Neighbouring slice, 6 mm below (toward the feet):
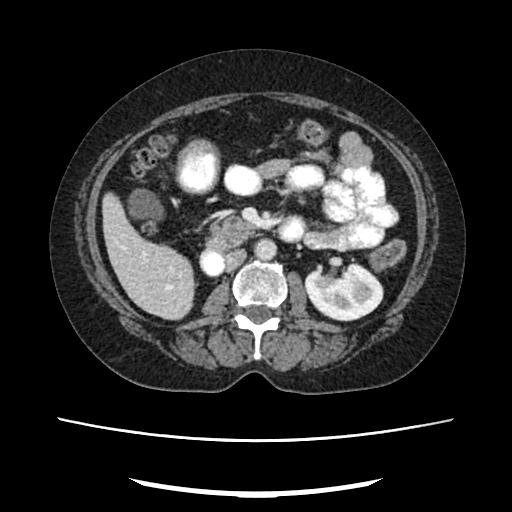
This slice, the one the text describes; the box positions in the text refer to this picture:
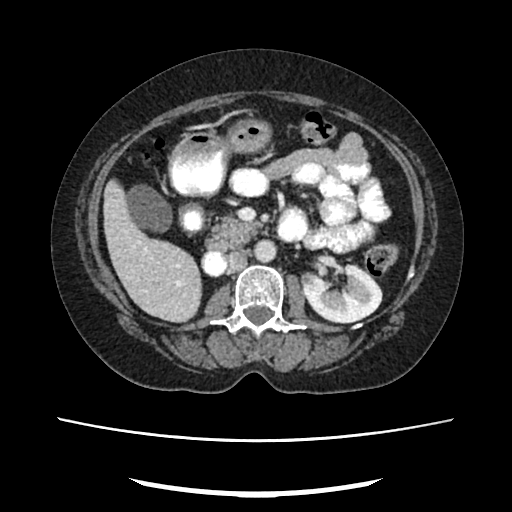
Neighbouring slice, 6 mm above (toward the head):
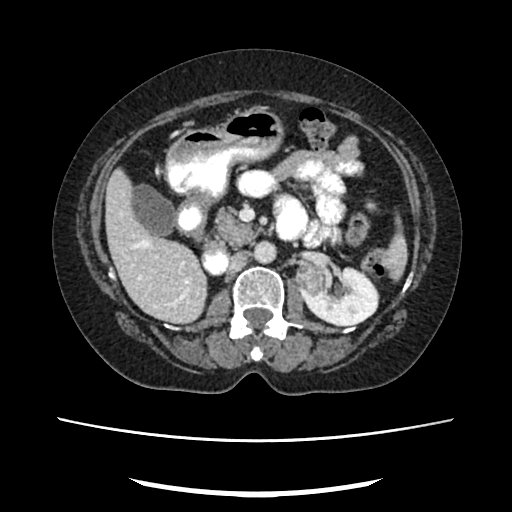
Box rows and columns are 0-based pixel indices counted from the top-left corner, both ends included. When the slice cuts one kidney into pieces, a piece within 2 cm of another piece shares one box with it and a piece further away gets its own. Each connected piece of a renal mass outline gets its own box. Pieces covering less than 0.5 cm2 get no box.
This is axial slice 136 of 207 (slice 1 is the lowest) of an arterial-phase abdominal CT with contrast; each pixel is 0.741 mm and the slice is 2.00 mm thick. Two boxes on this slice (one kidney box and one renal mass box), listed by box centre from the image's left to its right. (1) Left renal mass at rows 271–285, columns 300–314 (outlined area 165 px, about 0.9 cm2). (2) Left kidney at rows 263–323, columns 301–382 (outlined area 3,481 px, about 19.1 cm2). This slice lies near the end of the left renal mass toward the feet; the slices 6 mm below and 6 mm above it are shown too, and the boxes mark positions on this slice only.
Acquired at 120 kVp and reconstructed with the FC18 kernel.